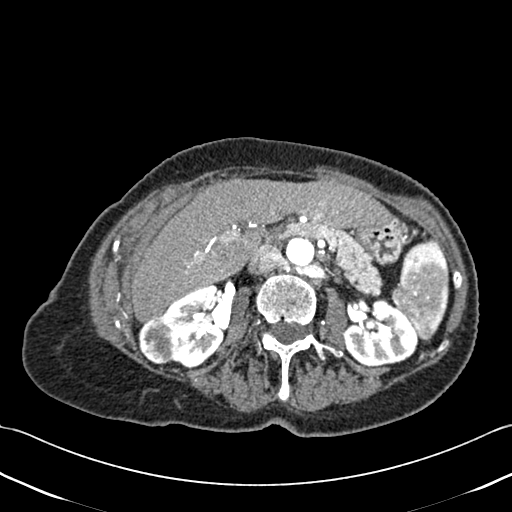
Contrast-enhanced abdominal CT, axial slice 249 of 433 (counted from the lowest slice); tube voltage 120 kVp, convolution kernel B30f; slices 1.00 mm thick, 0.672 mm per pixel.
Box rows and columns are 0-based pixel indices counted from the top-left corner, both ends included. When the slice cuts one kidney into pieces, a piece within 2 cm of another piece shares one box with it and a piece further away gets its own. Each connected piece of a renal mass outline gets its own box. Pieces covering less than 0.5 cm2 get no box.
Two kidney boxes and one renal mass box on this slice; by box centre, from the image's left to its right: (1) Box rows 316–364, columns 138–178: right renal mass (outlined area 1,568 px, about 7.1 cm2). (2) Right kidney, box rows 285–368, columns 161–224 (outlined area 3,431 px, about 15.5 cm2). (3) Left kidney at rows 298–366, columns 343–419 (outlined area 3,669 px, about 16.6 cm2).